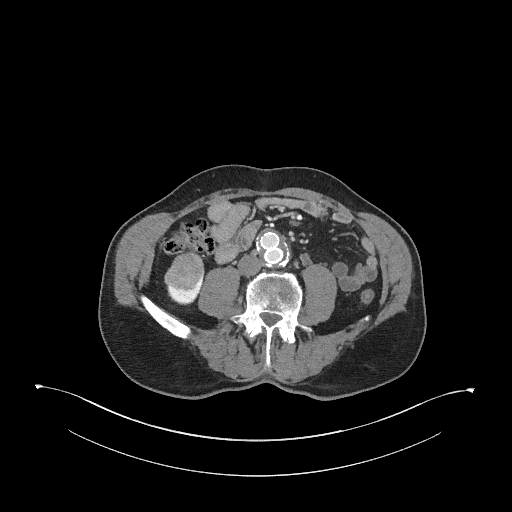
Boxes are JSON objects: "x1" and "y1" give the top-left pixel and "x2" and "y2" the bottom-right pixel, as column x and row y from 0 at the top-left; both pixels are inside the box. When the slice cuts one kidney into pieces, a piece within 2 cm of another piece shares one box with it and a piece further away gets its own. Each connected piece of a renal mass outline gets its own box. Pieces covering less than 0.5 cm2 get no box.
Slice 121/345 of a contrast-enhanced abdominal CT in the arterial phase, counting up from the lowest; pixel size 0.977 mm, slice thickness 2.00 mm. Two boxes on this slice (one kidney box and one renal mass box), listed by box centre from the image's left to its right. (1) Right renal mass, box {"x1": 164, "y1": 251, "x2": 204, "y2": 288} (outlined area 1,134 px, about 10.8 cm2). (2) Right kidney at {"x1": 166, "y1": 276, "x2": 204, "y2": 304} (outlined area 523 px, about 5.0 cm2).
Scan settings: 120 kVp, I31f reconstruction kernel.